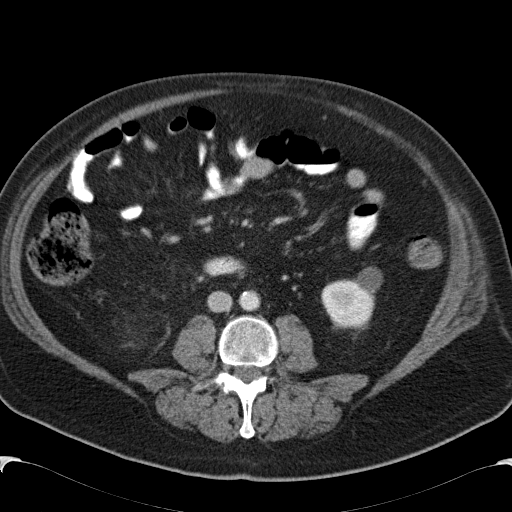
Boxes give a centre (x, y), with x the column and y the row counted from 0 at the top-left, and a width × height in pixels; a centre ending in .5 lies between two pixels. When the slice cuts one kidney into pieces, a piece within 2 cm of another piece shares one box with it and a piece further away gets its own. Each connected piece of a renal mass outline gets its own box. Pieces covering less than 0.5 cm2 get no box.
This is axial slice 60 of 99 (slice 1 is the lowest) of an abdominal CT with contrast; each pixel is 0.742 mm and the slice is 5.00 mm thick. Left kidney in a box with centre (351.5, 299.5), 62 × 66 pixels (outlined area 2,658 px, about 14.6 cm2). No renal mass outline on this slice.
Acquired at 120 kVp and reconstructed with the B31f kernel.